Arterial-phase contrast-enhanced abdominal CT, axial slice 371 of 591 (counted from the lowest slice); tube voltage 140 kVp, convolution kernel I30f; slices 1.00 mm thick, 0.703 mm per pixel.
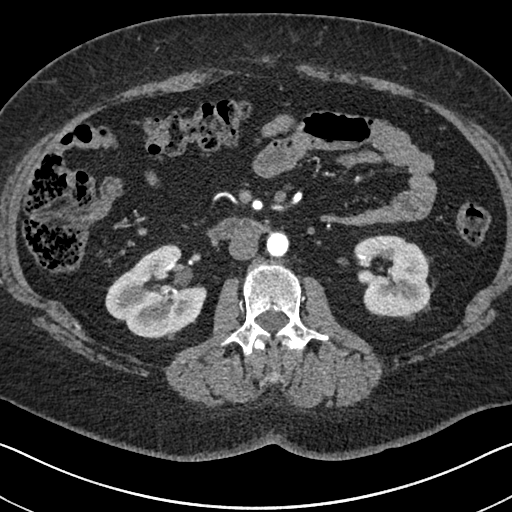
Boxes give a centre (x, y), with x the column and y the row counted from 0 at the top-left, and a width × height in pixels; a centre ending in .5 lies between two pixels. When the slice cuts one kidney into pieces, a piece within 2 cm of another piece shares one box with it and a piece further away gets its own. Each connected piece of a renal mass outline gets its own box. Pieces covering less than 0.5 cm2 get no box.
Boxed on this slice (two kidney boxes), listed by box centre from the image's left to its right: (1) Box centre (155.5, 291.5), 102 × 96 pixels: right kidney (outlined area 6,336 px, about 31.3 cm2). (2) Box centre (391.5, 276), 78 × 83 pixels: left kidney (outlined area 4,851 px, about 24.0 cm2). No renal mass outline on this slice.